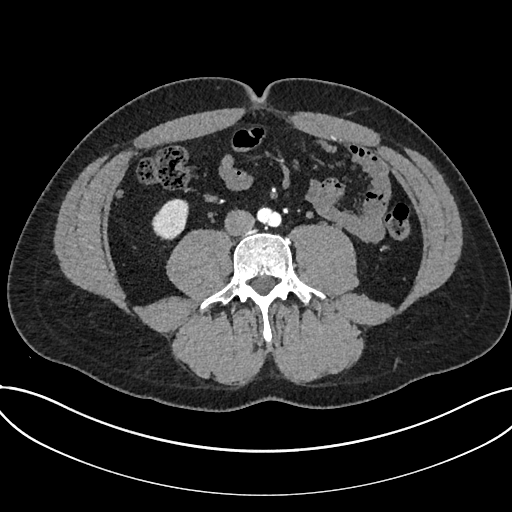
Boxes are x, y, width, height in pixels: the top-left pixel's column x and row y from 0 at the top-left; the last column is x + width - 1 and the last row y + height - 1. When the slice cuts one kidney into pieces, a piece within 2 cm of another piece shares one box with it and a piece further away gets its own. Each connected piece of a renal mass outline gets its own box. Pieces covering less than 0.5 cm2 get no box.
Arterial-phase contrast-enhanced abdominal CT, axial slice 274 of 735 (counted from the lowest slice); 1.00 mm thick, 0.789 mm per pixel. Kidney at x 151, y 198, width 38, height 43 (outlined area 1,153 px, about 7.2 cm2). No renal mass is outlined on this slice.
Tube voltage 120 kVp; convolution kernel I30f.